Abdominal CT with intravenous contrast, axial plane, 120 kVp, kernel STANDARD. Slice 30/76 from the bottom of the scan; thickness 2.50 mm; pixel size 0.586 mm.
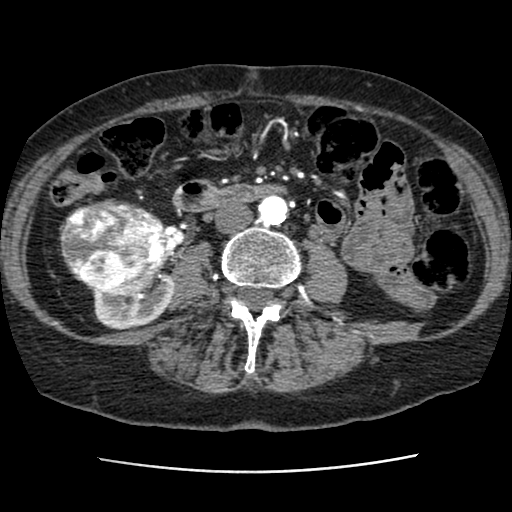
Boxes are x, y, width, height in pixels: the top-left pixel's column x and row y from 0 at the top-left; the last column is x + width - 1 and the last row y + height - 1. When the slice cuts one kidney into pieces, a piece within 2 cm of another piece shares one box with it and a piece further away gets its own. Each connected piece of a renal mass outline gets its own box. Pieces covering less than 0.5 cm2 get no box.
Two boxes on this slice (one kidney box and one renal mass box), listed by box centre from the image's left to its right. (1) Right renal mass, box x 60, y 200, width 106, height 96 (outlined area 8,024 px, about 27.5 cm2). (2) Box x 90, y 271, width 85, height 59: right kidney (outlined area 2,732 px, about 9.4 cm2).